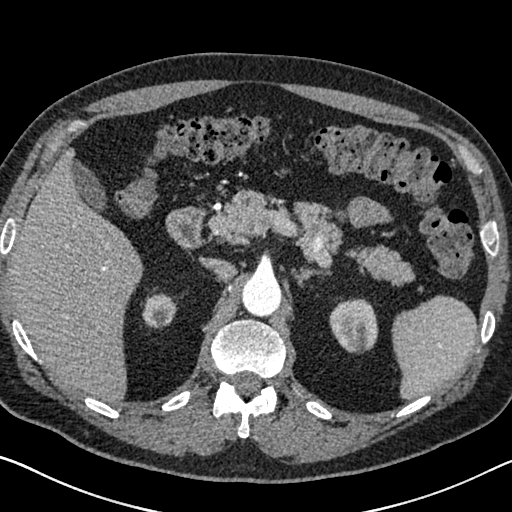
One axial slice (478 of 626, counting up from the lowest) of an arterial-phase abdominal CT acquired with 120 kVp, kernel I30f; each pixel is 0.703 mm and the slice is 1.00 mm thick.
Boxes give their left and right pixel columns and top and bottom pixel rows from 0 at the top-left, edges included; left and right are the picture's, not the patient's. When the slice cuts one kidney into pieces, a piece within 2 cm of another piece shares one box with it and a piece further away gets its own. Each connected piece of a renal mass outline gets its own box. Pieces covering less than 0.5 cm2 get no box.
Two kidney boxes on this slice; by box centre, from the image's left to its right: (1) Box with left 142, top 293, right 177, bottom 328: right kidney (outlined area 953 px, about 4.7 cm2). (2) Left kidney in the box with left 329, top 298, right 378, bottom 353 (outlined area 2,114 px, about 10.5 cm2). This slice carries no renal mass outline.